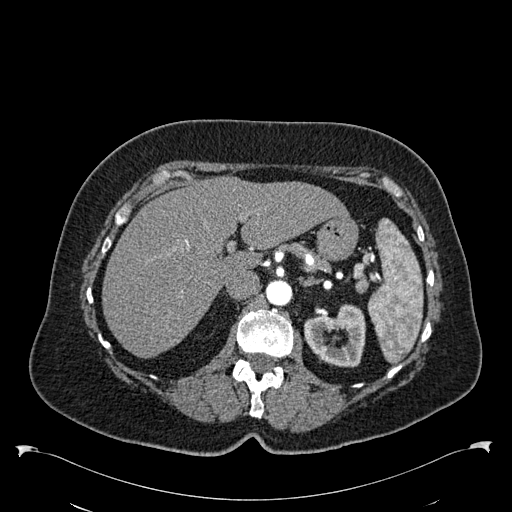
Abdominal CT with intravenous contrast, arterial phase, axial plane, 120 kVp, kernel B30f. Slice 399/538 from the bottom of the scan; thickness 1.00 mm; pixel size 0.811 mm.
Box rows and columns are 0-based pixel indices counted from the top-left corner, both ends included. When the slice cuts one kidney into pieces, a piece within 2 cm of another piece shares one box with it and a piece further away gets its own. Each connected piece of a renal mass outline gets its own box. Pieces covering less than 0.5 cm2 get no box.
Left kidney, box rows 304–367, columns 304–365 (outlined area 2,707 px, about 17.8 cm2). No renal mass outline on this slice.